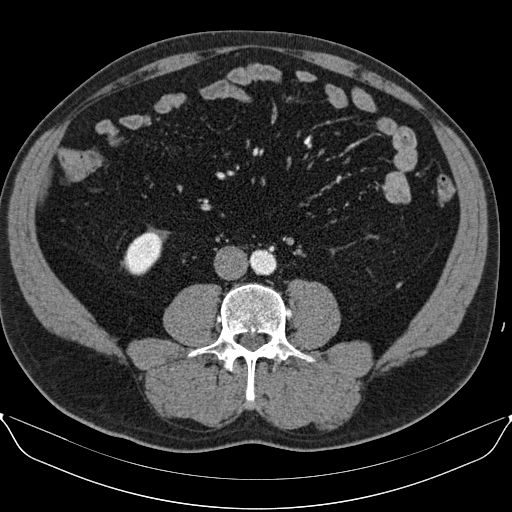
Abdominal CT with intravenous contrast, arterial phase, axial plane, 130 kVp, kernel B30s. Slice 27/96 from the bottom of the scan; thickness 3.00 mm; pixel size 0.781 mm.
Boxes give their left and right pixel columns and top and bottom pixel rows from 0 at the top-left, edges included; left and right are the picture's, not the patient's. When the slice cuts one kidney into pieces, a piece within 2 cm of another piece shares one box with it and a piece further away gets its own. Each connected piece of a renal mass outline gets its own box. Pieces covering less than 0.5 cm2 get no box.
Right kidney in the box with left 123, top 231, right 162, bottom 275 (outlined area 1,231 px, about 7.5 cm2). No renal mass is outlined on this slice.